One axial slice (303 of 735, counting up from the lowest) of an arterial-phase abdominal CT acquired with 120 kVp, kernel I30f; each pixel is 0.789 mm and the slice is 1.00 mm thick.
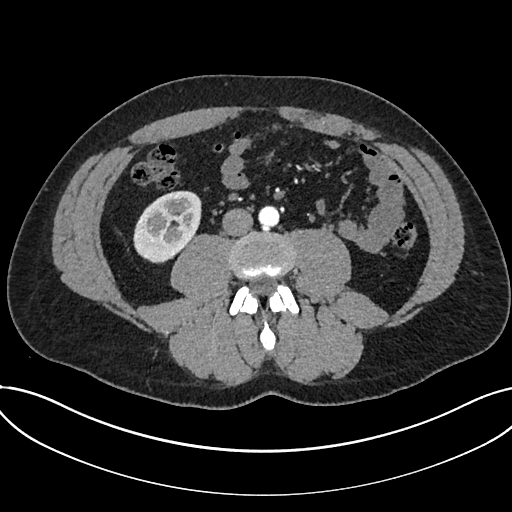
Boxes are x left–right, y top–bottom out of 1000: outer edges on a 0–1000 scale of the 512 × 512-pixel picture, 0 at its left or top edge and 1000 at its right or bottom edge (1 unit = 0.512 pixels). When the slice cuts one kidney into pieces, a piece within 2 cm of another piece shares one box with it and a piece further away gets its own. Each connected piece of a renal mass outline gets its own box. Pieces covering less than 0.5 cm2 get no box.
Box x 260–395, y 371–516 out of 1000: kidney (outlined area 3,635 px, about 22.6 cm2). No renal mass is outlined on this slice.